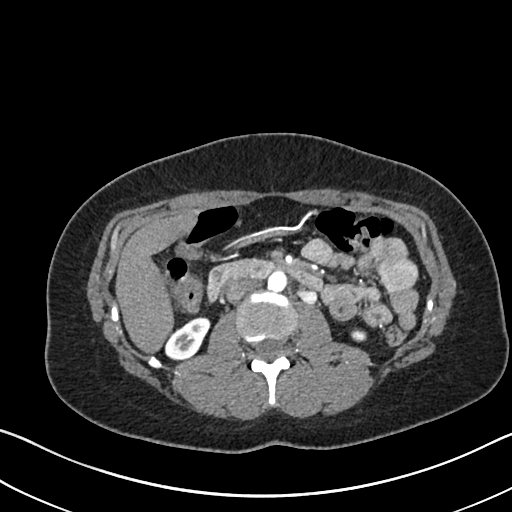
Arterial-phase contrast-enhanced abdominal CT, axial slice 372 of 612 (counted from the lowest slice); tube voltage 120 kVp, convolution kernel I30f; slices 1.00 mm thick, 0.703 mm per pixel.
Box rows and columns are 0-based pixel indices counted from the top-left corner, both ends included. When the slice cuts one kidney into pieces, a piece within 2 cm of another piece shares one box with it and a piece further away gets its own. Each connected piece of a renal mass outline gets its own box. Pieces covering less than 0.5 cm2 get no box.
Two kidney boxes on this slice; by box centre, from the image's left to its right: (1) Box rows 316–359, columns 164–210: right kidney (outlined area 1,280 px, about 6.3 cm2). (2) Left kidney at rows 328–342, columns 350–366 (outlined area 182 px, about 0.9 cm2). No renal mass is outlined on this slice.